Axial slice 339 of 683 of a contrast-enhanced abdominal CT in the arterial phase (slice 1 is the lowest), 120 kVp, kernel I30f; 1.00 mm slice thickness and 0.738 mm pixels.
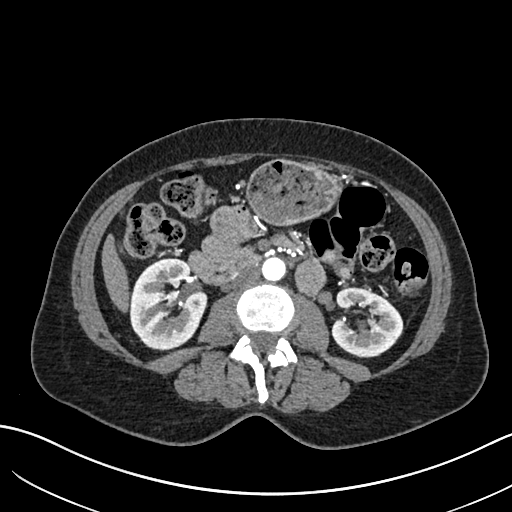
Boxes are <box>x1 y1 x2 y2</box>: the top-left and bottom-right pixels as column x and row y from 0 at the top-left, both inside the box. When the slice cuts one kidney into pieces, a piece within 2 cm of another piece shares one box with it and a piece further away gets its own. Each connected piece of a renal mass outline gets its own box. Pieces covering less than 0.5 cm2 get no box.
Two boxes on this slice (two kidney boxes), listed by box centre from the image's left to its right. (1) Right kidney: <box>129 258 207 350</box> (outlined area 5,466 px, about 29.8 cm2). (2) Left kidney at <box>330 287 403 357</box> (outlined area 3,675 px, about 20.0 cm2). This slice carries no renal mass outline.